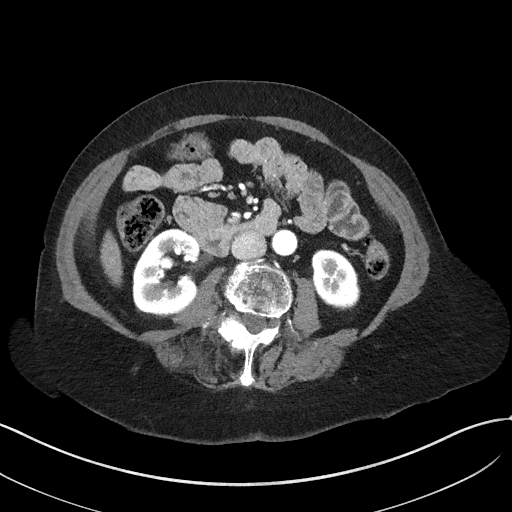
Abdominal CT with intravenous contrast, arterial phase, axial plane, 100 kVp, kernel I41f. Slice 16/50 from the bottom of the scan; thickness 3.00 mm; pixel size 0.758 mm.
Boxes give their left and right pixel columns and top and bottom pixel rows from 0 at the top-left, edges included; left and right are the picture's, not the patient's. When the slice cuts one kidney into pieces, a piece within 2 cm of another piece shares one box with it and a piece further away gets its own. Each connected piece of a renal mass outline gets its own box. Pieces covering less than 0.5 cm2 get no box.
Two kidney boxes on this slice; by box centre, from the image's left to its right: (1) Box with left 132, top 229, right 200, bottom 315: right kidney (outlined area 4,458 px, about 25.6 cm2). (2) Box with left 311, top 249, right 360, bottom 309: left kidney (outlined area 2,293 px, about 13.2 cm2). This slice carries no renal mass outline.